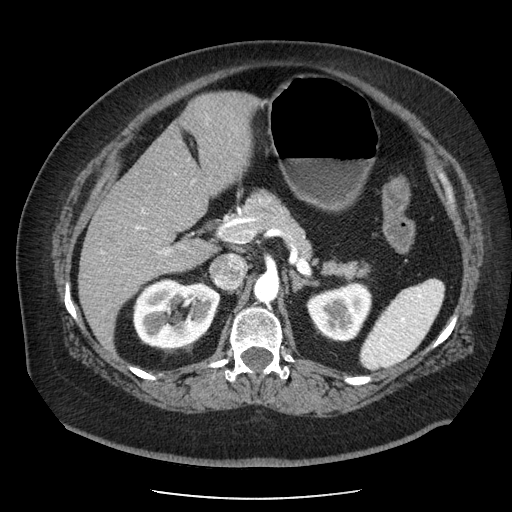
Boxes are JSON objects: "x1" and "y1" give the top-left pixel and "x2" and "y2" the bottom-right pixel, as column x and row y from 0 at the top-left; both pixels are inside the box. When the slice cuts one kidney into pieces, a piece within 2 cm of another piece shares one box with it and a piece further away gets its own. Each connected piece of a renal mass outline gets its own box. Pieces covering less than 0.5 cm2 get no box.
Slice 137/186 of a contrast-enhanced abdominal CT in the arterial phase, counting up from the lowest; pixel size 0.742 mm, slice thickness 2.50 mm. Boxed on this slice (two kidney boxes), listed by box centre from the image's left to its right: (1) Box {"x1": 132, "y1": 278, "x2": 220, "y2": 347}: right kidney (outlined area 4,843 px, about 26.7 cm2). (2) Left kidney, box {"x1": 306, "y1": 282, "x2": 371, "y2": 340} (outlined area 2,868 px, about 15.8 cm2). No renal mass outline on this slice.
Tube voltage 120 kVp; convolution kernel STANDARD.